Axial slice 8 of 61 of a contrast-enhanced abdominal CT (slice 1 is the lowest), 140 kVp, kernel B41f; 3.00 mm slice thickness and 0.939 mm pixels.
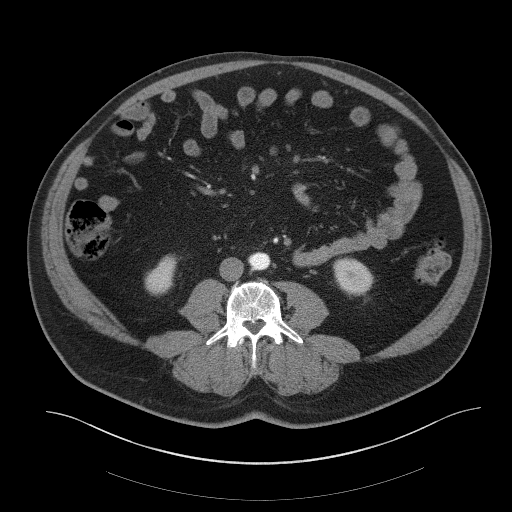
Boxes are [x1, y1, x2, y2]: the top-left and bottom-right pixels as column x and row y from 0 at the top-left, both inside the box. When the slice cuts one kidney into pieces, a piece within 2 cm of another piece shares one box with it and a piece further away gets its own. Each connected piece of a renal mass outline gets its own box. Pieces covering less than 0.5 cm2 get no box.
Boxed on this slice (two kidney boxes), listed by box centre from the image's left to its right: (1) Box [144, 254, 177, 295]: right kidney (outlined area 934 px, about 8.2 cm2). (2) Box [332, 257, 373, 293]: left kidney (outlined area 1,182 px, about 10.4 cm2). No renal mass is outlined on this slice.